Arterial-phase contrast-enhanced abdominal CT, axial slice 35 of 85 (counted from the lowest slice); tube voltage 120 kVp, convolution kernel FC19; slices 5.00 mm thick, 1.041 mm per pixel.
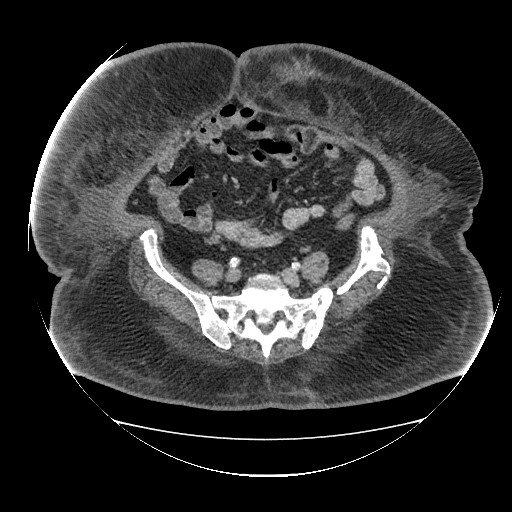
Outside the outlined region: no kidney outline and no renal mass outline on this slice. The scan's outlines cover only kidneys and renal masses; no other organ is outlined.